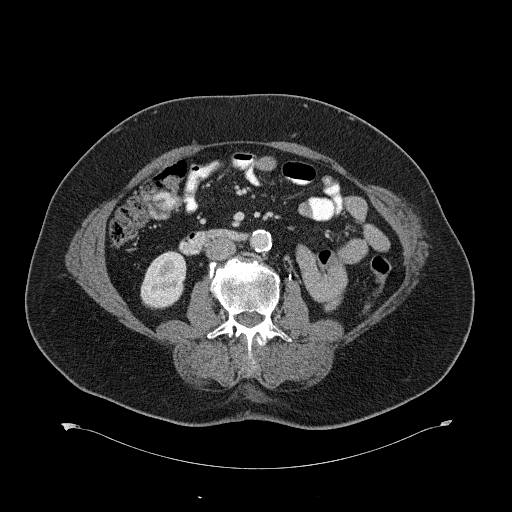
Axial slice 320 of 734 of a contrast-enhanced abdominal CT (slice 1 is the lowest), 120 kVp, kernel B31f; 2.00 mm slice thickness and 0.971 mm pixels.
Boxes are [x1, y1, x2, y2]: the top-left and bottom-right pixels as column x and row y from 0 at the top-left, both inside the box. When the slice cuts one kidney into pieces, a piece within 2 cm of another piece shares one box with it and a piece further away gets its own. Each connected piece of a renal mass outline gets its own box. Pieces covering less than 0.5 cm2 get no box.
Right kidney at [140, 251, 186, 309] (outlined area 2,074 px, about 19.5 cm2). This slice carries no renal mass outline.